Abdominal CT with intravenous contrast, arterial phase, axial plane, 120 kVp, kernel B30f. Slice 373/723 from the bottom of the scan; thickness 1.00 mm; pixel size 0.895 mm.
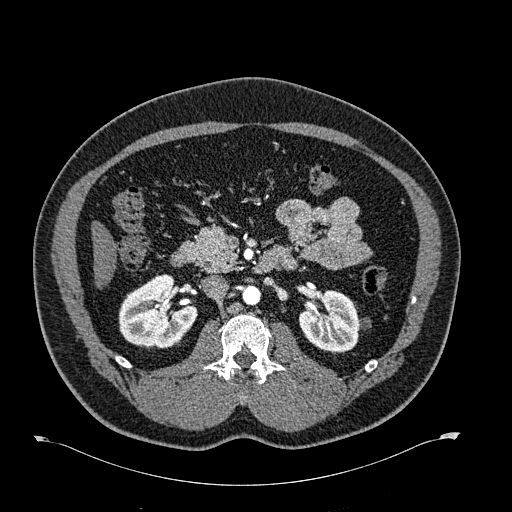
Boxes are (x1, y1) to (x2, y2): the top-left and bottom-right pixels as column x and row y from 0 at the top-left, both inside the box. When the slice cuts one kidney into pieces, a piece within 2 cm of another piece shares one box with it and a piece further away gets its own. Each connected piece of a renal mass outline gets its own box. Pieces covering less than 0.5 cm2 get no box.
Boxed on this slice (two kidney boxes), listed by box centre from the image's left to its right: (1) Box (118, 274) to (197, 349): right kidney (outlined area 4,217 px, about 33.7 cm2). (2) Box (298, 290) to (371, 352): left kidney (outlined area 3,003 px, about 24.0 cm2). No renal mass is outlined on this slice.